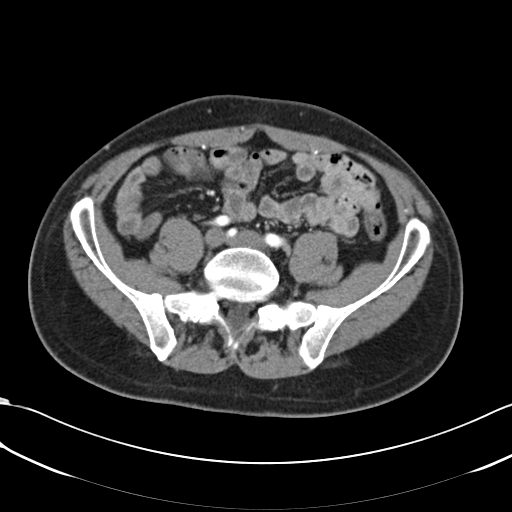
One axial slice (15 of 66, counting up from the lowest) of an arterial-phase abdominal CT acquired with 120 kVp, kernel B30f; each pixel is 0.678 mm and the slice is 5.00 mm thick.
Outside the outlined region: no kidney outline and no renal mass outline on this slice. The scan's outlines cover only kidneys and renal masses; no other organ is outlined.